Axial slice 13 of 234 of a contrast-enhanced abdominal CT in the arterial phase (slice 1 is the lowest), 100 kVp, kernel I40f; 2.00 mm slice thickness and 0.699 mm pixels.
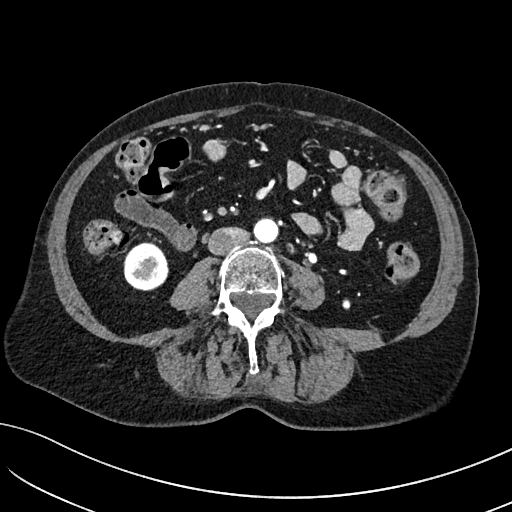
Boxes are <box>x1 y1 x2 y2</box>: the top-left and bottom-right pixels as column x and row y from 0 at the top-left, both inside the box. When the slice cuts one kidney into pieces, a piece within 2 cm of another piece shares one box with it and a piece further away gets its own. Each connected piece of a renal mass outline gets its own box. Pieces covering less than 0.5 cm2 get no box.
Right kidney at <box>123 242 168 290</box> (outlined area 1,773 px, about 8.7 cm2). This slice carries no renal mass outline.